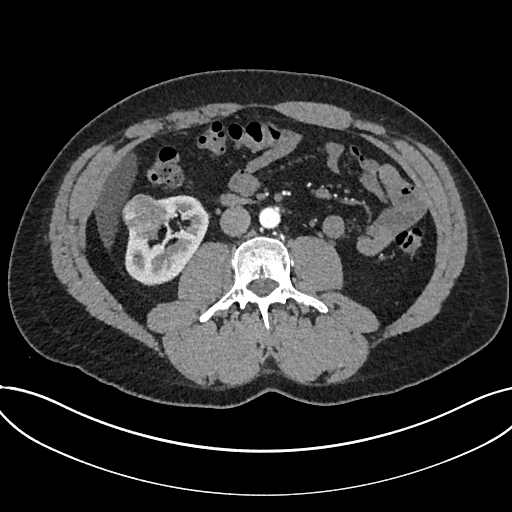
Abdominal CT with intravenous contrast, arterial phase, axial plane, 120 kVp, kernel I30f. Slice 346/735 from the bottom of the scan; thickness 1.00 mm; pixel size 0.789 mm.
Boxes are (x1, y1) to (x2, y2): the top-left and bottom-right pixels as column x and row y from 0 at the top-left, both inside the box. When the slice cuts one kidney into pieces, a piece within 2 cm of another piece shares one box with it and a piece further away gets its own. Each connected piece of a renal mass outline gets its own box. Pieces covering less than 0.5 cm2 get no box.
Boxed on this slice (one kidney box and one renal mass box), listed by box centre from the image's left to its right: (1) Renal mass from (122, 194) to (168, 238) (outlined area 1,539 px, about 9.6 cm2). (2) Kidney, box (124, 195) to (208, 285) (outlined area 4,275 px, about 26.6 cm2).